Axial slice 27 of 52 of a contrast-enhanced abdominal CT in the arterial phase (slice 1 is the lowest), 120 kVp, kernel B30f; 3.00 mm slice thickness and 0.678 mm pixels.
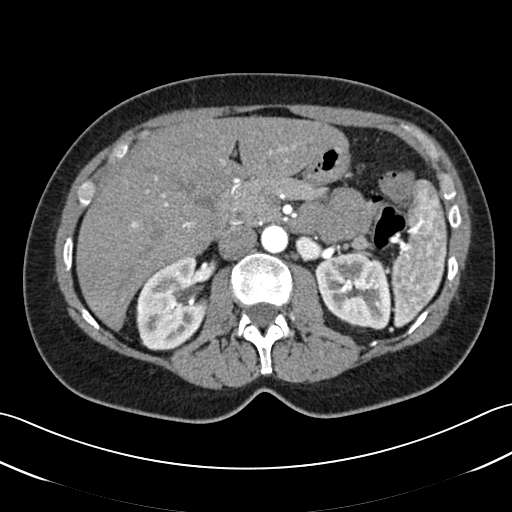
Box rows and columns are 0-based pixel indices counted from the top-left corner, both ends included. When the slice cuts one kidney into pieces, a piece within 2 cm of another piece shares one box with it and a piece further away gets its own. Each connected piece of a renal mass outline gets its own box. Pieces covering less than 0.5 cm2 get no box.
Two kidney boxes on this slice; by box centre, from the image's left to its right: (1) Right kidney, box rows 256–350, columns 136–209 (outlined area 5,067 px, about 23.3 cm2). (2) Left kidney at rows 253–329, columns 314–391 (outlined area 4,572 px, about 21.0 cm2). This slice carries no renal mass outline.